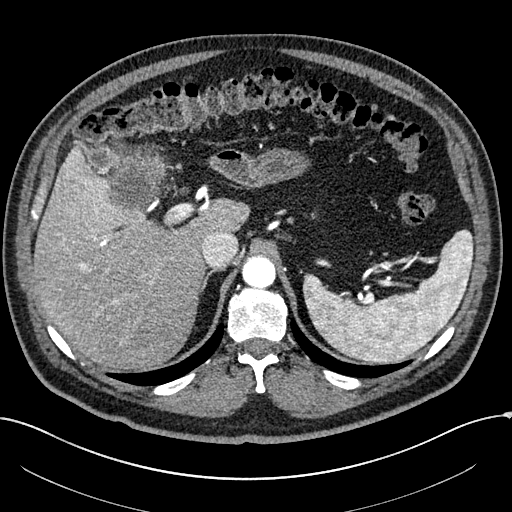
One axial slice (193 of 304, counting up from the lowest) of an arterial-phase abdominal CT acquired with 100 kVp, kernel I30f; each pixel is 0.809 mm and the slice is 2.00 mm thick.
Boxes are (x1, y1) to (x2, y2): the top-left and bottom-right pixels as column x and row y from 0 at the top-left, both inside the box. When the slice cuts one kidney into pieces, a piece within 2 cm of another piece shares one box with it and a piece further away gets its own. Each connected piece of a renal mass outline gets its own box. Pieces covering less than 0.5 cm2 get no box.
Right renal mass, box (108, 143) to (166, 208) (outlined area 3,148 px, about 20.6 cm2); this slice has no kidney outline, though on another slice the same outlined renal mass lies within 1 cm of the kidney.